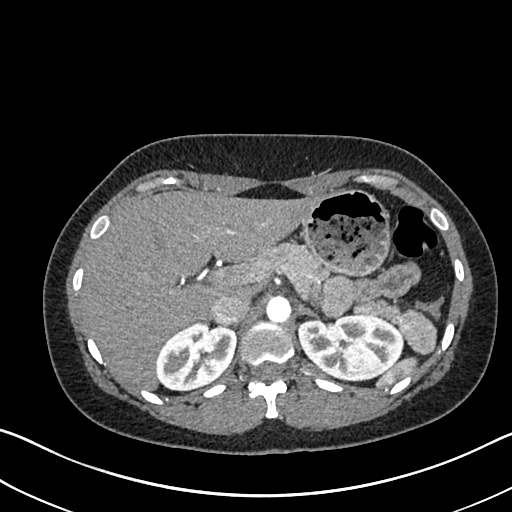
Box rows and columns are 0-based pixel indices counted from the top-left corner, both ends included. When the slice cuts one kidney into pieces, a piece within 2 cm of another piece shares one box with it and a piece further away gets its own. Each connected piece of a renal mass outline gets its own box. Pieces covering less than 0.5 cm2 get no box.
Arterial-phase contrast-enhanced abdominal CT, axial slice 496 of 612 (counted from the lowest slice); 1.00 mm thick, 0.703 mm per pixel. Two kidney boxes on this slice; by box centre, from the image's left to its right: (1) Right kidney, box rows 322–389, columns 156–236 (outlined area 4,092 px, about 20.2 cm2). (2) Left kidney, box rows 313–381, columns 297–403 (outlined area 5,566 px, about 27.5 cm2). No renal mass outline on this slice.
Scan settings: 120 kVp, I30f reconstruction kernel.